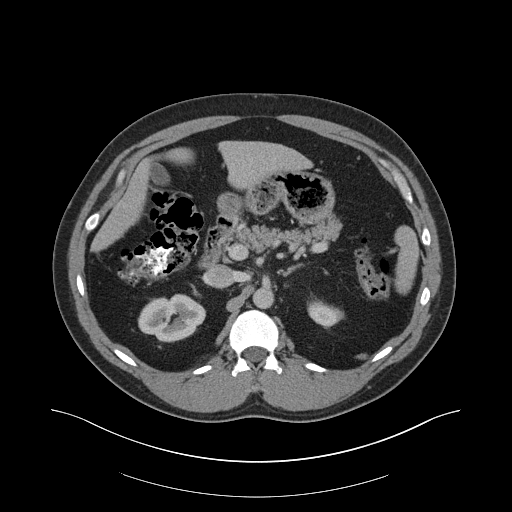
Axial slice 121 of 159 of a contrast-enhanced abdominal CT in the arterial phase (slice 1 is the lowest), 140 kVp, kernel B30f; 3.00 mm slice thickness and 0.977 mm pixels.
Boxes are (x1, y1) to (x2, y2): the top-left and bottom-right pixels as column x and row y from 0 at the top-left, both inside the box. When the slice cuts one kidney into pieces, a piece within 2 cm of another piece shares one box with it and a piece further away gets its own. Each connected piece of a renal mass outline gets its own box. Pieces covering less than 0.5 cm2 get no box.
Boxed on this slice (two kidney boxes), listed by box centre from the image's left to its right: (1) Right kidney, box (138, 294) to (205, 341) (outlined area 2,409 px, about 23.0 cm2). (2) Box (307, 300) to (342, 327): left kidney (outlined area 683 px, about 6.5 cm2). No renal mass is outlined on this slice.